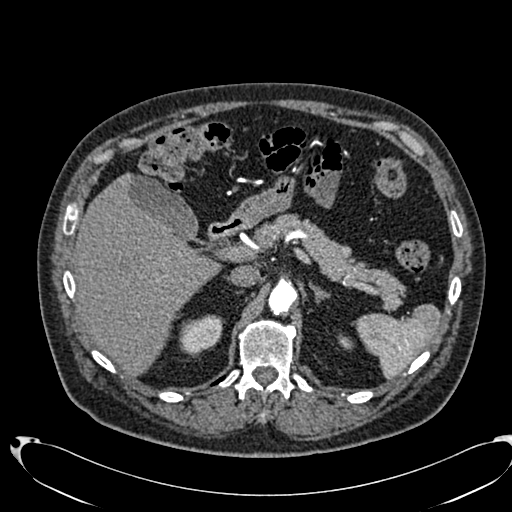
Abdominal CT with intravenous contrast, arterial phase, axial plane, 120 kVp, kernel B20f. Slice 492/553 from the bottom of the scan; thickness 1.00 mm; pixel size 0.773 mm.
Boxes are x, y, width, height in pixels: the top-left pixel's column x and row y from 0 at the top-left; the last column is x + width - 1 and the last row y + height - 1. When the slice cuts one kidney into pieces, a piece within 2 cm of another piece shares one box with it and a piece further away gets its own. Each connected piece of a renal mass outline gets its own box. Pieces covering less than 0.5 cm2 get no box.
Two kidney boxes on this slice; by box centre, from the image's left to its right: (1) Right kidney at x 179, y 314, width 46, height 43 (outlined area 1,347 px, about 8.1 cm2). (2) Left kidney at x 338, y 334, width 14, height 16 (outlined area 139 px, about 0.8 cm2). This slice carries no renal mass outline.